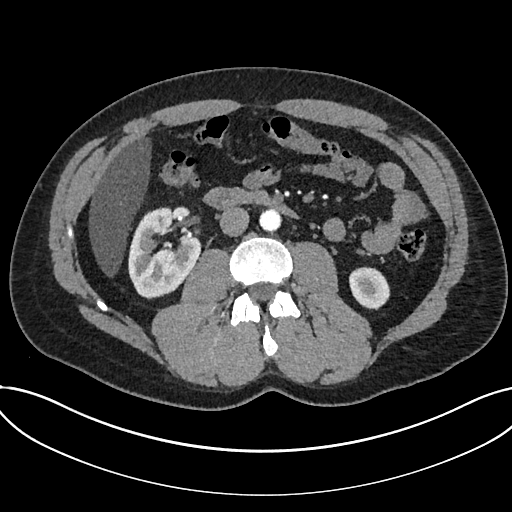
Axial slice 372 of 735 of a contrast-enhanced abdominal CT in the arterial phase (slice 1 is the lowest), 120 kVp, kernel I30f; 1.00 mm slice thickness and 0.789 mm pixels.
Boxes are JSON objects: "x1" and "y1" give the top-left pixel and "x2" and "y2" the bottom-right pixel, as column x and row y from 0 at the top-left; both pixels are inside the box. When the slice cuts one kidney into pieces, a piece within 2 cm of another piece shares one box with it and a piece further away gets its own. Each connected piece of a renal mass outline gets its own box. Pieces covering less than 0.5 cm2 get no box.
Two boxes on this slice (two kidney boxes), listed by box centre from the image's left to its right. (1) Box {"x1": 128, "y1": 207, "x2": 200, "y2": 299}: kidney (outlined area 4,704 px, about 29.3 cm2). (2) Box {"x1": 349, "y1": 266, "x2": 390, "y2": 309}: kidney (outlined area 1,364 px, about 8.5 cm2).